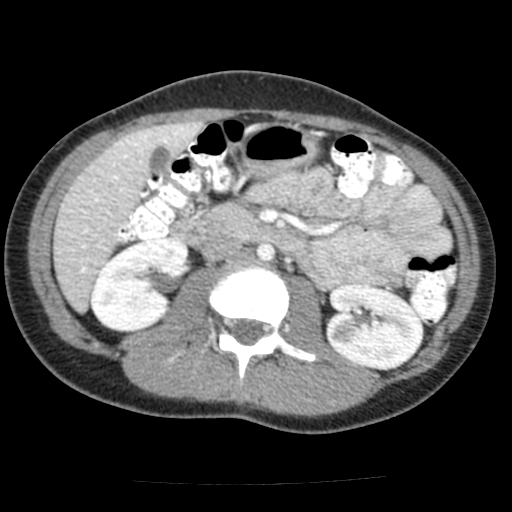
Abdominal CT with intravenous contrast, arterial phase, axial plane, 120 kVp, kernel FC12. Slice 78/117 from the bottom of the scan; thickness 3.00 mm; pixel size 0.518 mm.
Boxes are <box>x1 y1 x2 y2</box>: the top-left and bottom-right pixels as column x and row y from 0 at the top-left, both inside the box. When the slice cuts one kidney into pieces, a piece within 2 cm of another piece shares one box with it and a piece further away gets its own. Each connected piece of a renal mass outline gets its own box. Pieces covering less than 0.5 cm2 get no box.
Two kidney boxes and one renal mass box on this slice; by box centre, from the image's left to its right: (1) Right kidney: <box>89 236 188 333</box> (outlined area 6,837 px, about 18.3 cm2). (2) At <box>332 320 353 343</box>: left renal mass (outlined area 405 px, about 1.1 cm2). (3) Left kidney: <box>324 283 423 370</box> (outlined area 6,392 px, about 17.2 cm2).